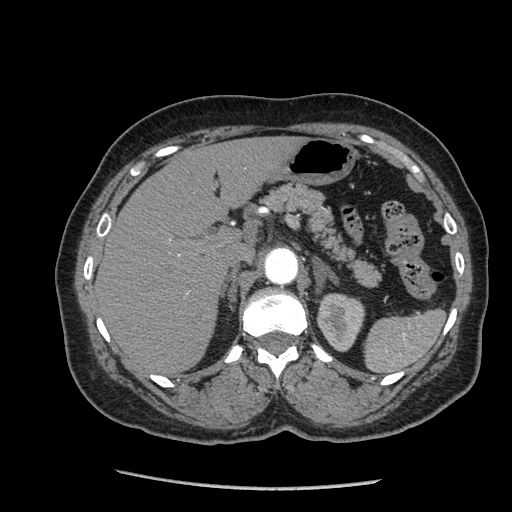
Abdominal CT with intravenous contrast, arterial phase, axial plane, 120 kVp, kernel STANDARD. Slice 159/233 from the bottom of the scan; thickness 1.25 mm; pixel size 0.703 mm.
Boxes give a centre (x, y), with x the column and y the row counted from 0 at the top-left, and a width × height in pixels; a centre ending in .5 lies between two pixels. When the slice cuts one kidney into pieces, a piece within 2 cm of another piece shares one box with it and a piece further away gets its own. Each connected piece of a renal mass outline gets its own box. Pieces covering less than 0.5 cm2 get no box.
Box centre (340.5, 322), 50 × 59 pixels: left kidney (outlined area 2,150 px, about 10.6 cm2). No renal mass outline on this slice.